Contrast-enhanced abdominal CT, axial slice 65 of 145 (counted from the lowest slice); tube voltage 120 kVp, convolution kernel B41f; slices 5.00 mm thick, 0.859 mm per pixel.
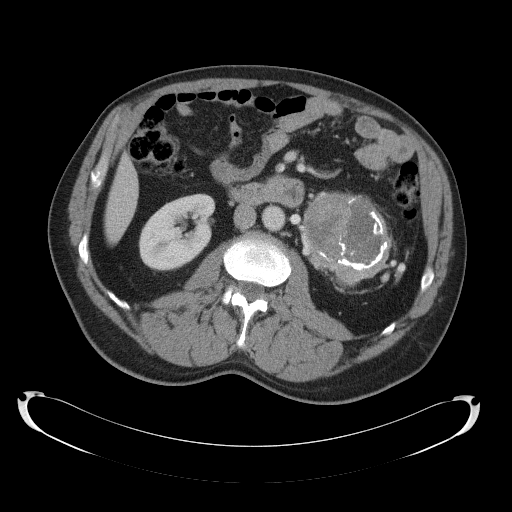
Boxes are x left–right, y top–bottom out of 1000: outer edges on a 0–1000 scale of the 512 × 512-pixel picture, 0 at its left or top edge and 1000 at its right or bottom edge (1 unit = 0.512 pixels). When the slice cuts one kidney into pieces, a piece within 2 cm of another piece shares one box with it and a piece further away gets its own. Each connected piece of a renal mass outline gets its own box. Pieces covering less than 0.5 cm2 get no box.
One kidney box and one renal mass box on this slice; by box centre, from the image's left to its right: (1) Right kidney at x 270–422, y 377–531 out of 1000 (outlined area 4,369 px, about 32.3 cm2). (2) Left renal mass, box x 580–771, y 373–561 out of 1000 (outlined area 6,778 px, about 50.1 cm2); it sits over 1 cm from every kidney outline on this slice, but the same outlined renal mass comes within 1 cm of the kidney on another slice.